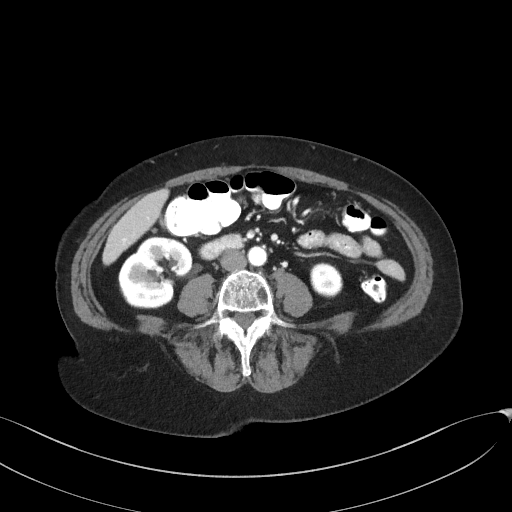
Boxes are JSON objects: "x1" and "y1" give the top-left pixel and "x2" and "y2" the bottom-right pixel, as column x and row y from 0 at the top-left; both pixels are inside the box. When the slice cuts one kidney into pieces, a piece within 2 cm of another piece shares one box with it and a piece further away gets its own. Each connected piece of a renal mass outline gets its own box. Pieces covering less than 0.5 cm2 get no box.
Arterial-phase contrast-enhanced abdominal CT, axial slice 74 of 129 (counted from the lowest slice); 3.00 mm thick, 0.779 mm per pixel. Two boxes on this slice (two kidney boxes), listed by box centre from the image's left to its right. (1) Right kidney at {"x1": 118, "y1": 236, "x2": 192, "y2": 308} (outlined area 3,961 px, about 24.1 cm2). (2) Left kidney, box {"x1": 310, "y1": 262, "x2": 342, "y2": 297} (outlined area 944 px, about 5.7 cm2). No renal mass outline on this slice.
Acquired at 100 kVp and reconstructed with the I41f kernel.